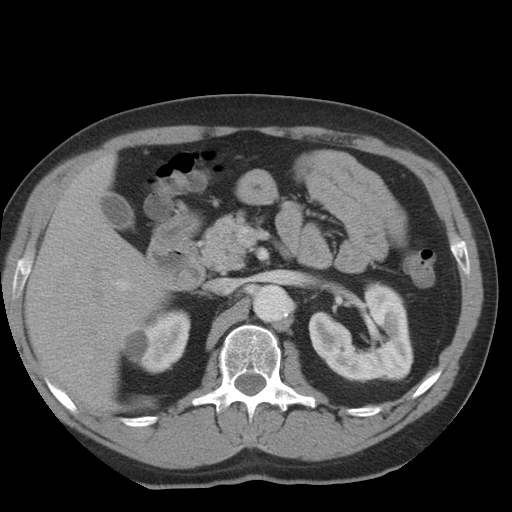
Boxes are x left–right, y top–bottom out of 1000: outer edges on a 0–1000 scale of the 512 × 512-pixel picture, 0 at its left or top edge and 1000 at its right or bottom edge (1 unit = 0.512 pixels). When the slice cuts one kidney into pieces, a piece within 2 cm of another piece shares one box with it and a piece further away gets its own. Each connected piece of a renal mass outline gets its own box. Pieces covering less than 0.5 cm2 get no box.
This is axial slice 21 of 36 (slice 1 is the lowest) of an arterial-phase abdominal CT with contrast; each pixel is 0.703 mm and the slice is 5.00 mm thick. Boxed on this slice (two kidney boxes), listed by box centre from the image's left to its right: (1) Right kidney, box x 240–373, y 604–732 out of 1000 (outlined area 2,931 px, about 14.5 cm2). (2) Left kidney at x 602–809, y 547–750 out of 1000 (outlined area 7,317 px, about 36.2 cm2). This slice carries no renal mass outline.
Acquired at 140 kVp and reconstructed with the STANDARD kernel.